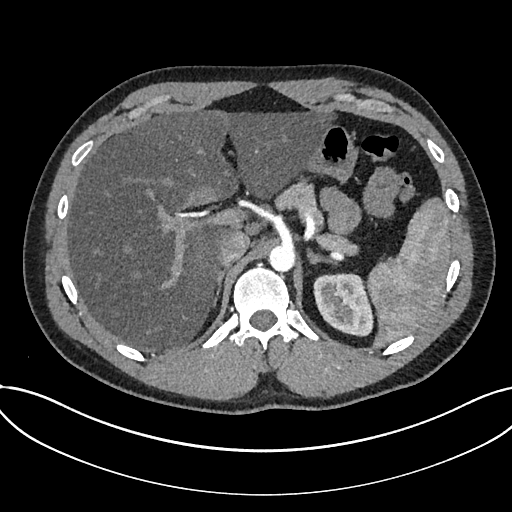
Arterial-phase contrast-enhanced abdominal CT, axial slice 551 of 735 (counted from the lowest slice); tube voltage 120 kVp, convolution kernel I30f; slices 1.00 mm thick, 0.789 mm per pixel.
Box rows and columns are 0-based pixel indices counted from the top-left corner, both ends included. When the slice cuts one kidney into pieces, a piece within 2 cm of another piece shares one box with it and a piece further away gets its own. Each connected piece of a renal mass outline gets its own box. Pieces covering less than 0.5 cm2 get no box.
Box rows 273–336, columns 313–373: kidney (outlined area 2,984 px, about 18.6 cm2). No renal mass outline on this slice.